One axial slice (144 of 186, counting up from the lowest) of an arterial-phase abdominal CT acquired with 120 kVp, kernel STANDARD; each pixel is 0.742 mm and the slice is 2.50 mm thick.
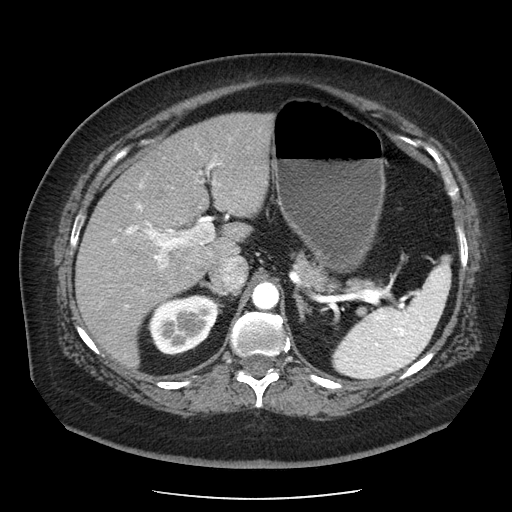
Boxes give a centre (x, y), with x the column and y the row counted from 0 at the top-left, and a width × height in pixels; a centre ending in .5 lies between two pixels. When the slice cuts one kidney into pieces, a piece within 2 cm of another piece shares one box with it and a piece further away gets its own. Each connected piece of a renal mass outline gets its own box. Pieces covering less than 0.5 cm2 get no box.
Right kidney in a box with centre (184, 324), 73 × 61 pixels (outlined area 3,263 px, about 18.0 cm2). This slice carries no renal mass outline.